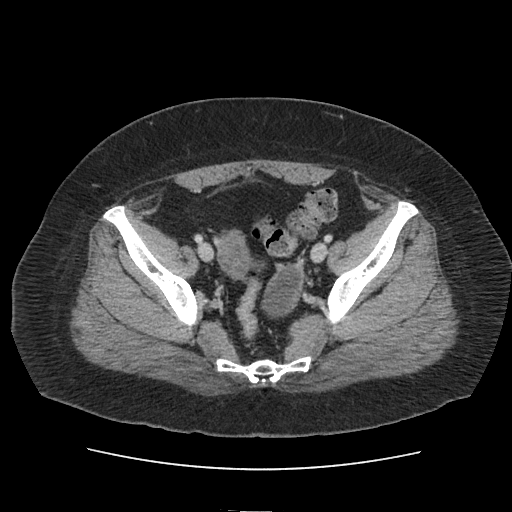
Axial slice 26 of 103 of a contrast-enhanced abdominal CT in the arterial phase (slice 1 is the lowest), 120 kVp, kernel FC19; 5.00 mm slice thickness and 0.873 mm pixels.
Neither a kidney nor a renal mass is outlined here. Only kidneys and renal masses are outlined anywhere in this scan; other structures are never outlined.